One axial slice (278 of 532, counting up from the lowest) of an arterial-phase abdominal CT acquired with 120 kVp, kernel B30f; each pixel is 0.713 mm and the slice is 1.00 mm thick.
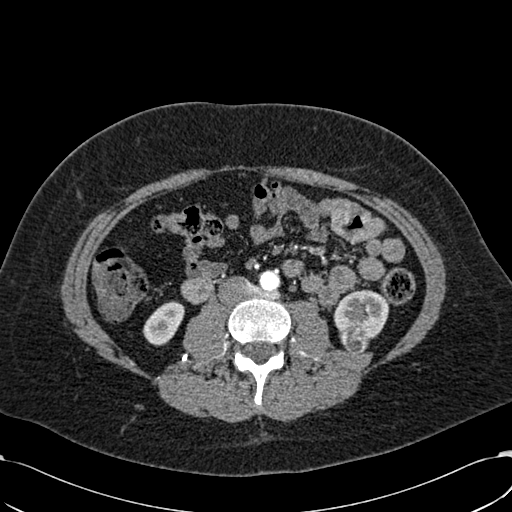
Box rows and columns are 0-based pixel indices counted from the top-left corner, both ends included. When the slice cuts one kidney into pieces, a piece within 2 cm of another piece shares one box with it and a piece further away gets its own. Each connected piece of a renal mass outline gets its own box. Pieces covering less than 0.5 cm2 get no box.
Three boxes on this slice (two kidney boxes and one renal mass box), listed by box centre from the image's left to its right. (1) Right kidney at rows 301–345, columns 142–184 (outlined area 1,282 px, about 6.5 cm2). (2) Left renal mass at rows 325–354, columns 339–369 (outlined area 657 px, about 3.3 cm2). (3) Box rows 289–339, columns 333–389: left kidney (outlined area 1,953 px, about 9.9 cm2).